Axial slice 134 of 325 of a contrast-enhanced abdominal CT in the arterial phase (slice 1 is the lowest), 100 kVp, kernel I30f; 1.00 mm slice thickness and 0.703 mm pixels.
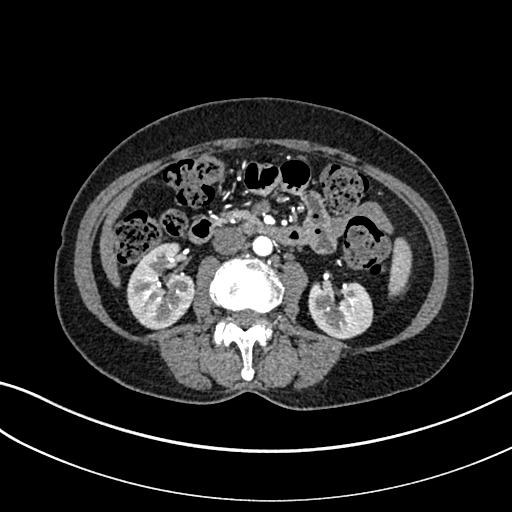
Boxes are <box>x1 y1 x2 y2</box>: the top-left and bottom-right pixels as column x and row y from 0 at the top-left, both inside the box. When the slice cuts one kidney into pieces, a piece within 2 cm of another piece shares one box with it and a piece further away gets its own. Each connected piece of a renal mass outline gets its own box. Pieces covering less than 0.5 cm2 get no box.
Boxed on this slice (two kidney boxes), listed by box centre from the image's left to its right: (1) Right kidney: <box>126 242 194 330</box> (outlined area 4,349 px, about 21.5 cm2). (2) Left kidney: <box>308 281 373 339</box> (outlined area 3,047 px, about 15.1 cm2). No renal mass is outlined on this slice.